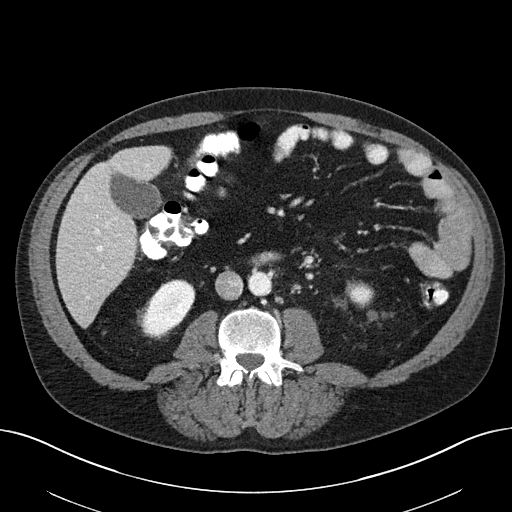
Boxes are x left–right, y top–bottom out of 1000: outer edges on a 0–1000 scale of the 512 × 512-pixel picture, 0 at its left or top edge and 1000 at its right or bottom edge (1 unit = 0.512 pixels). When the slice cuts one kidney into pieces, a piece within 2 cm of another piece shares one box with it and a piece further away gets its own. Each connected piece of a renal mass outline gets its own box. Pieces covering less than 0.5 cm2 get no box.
Contrast-enhanced abdominal CT, axial slice 96 of 163 (counted from the lowest slice); 3.00 mm thick, 0.799 mm per pixel. Boxed on this slice (two kidney boxes), listed by box centre from the image's left to its right: (1) Box x 270–381, y 545–660 out of 1000: right kidney (outlined area 2,176 px, about 13.9 cm2). (2) Left kidney, box x 676–729, y 553–600 out of 1000 (outlined area 476 px, about 3.0 cm2). This slice carries no renal mass outline.
Tube voltage 100 kVp; convolution kernel I40f.